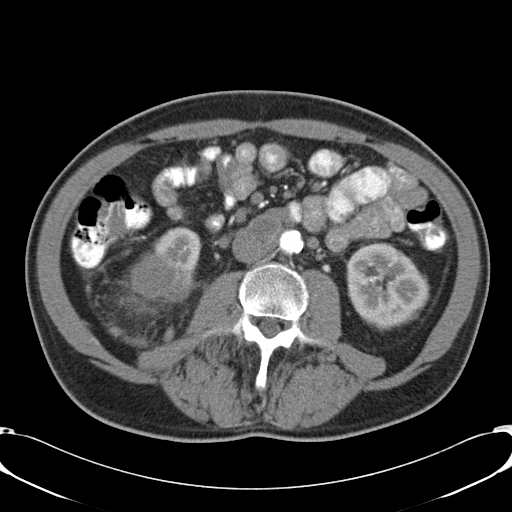
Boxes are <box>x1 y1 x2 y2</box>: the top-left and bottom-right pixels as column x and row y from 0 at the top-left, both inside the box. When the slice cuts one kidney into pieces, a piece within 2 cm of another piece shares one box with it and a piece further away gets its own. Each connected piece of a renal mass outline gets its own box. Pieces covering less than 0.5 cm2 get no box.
Slice 17/57 of a contrast-enhanced abdominal CT, counting up from the lowest; pixel size 0.732 mm, slice thickness 5.00 mm. Three boxes on this slice (two kidney boxes and one renal mass box), listed by box centre from the image's left to its right. (1) Right renal mass: <box>129 251 193 302</box> (outlined area 2,531 px, about 13.6 cm2). (2) Right kidney: <box>153 226 201 271</box> (outlined area 1,357 px, about 7.3 cm2). (3) Left kidney at <box>346 243 429 330</box> (outlined area 5,484 px, about 29.4 cm2).
Acquired at 120 kVp and reconstructed with the B31f kernel.